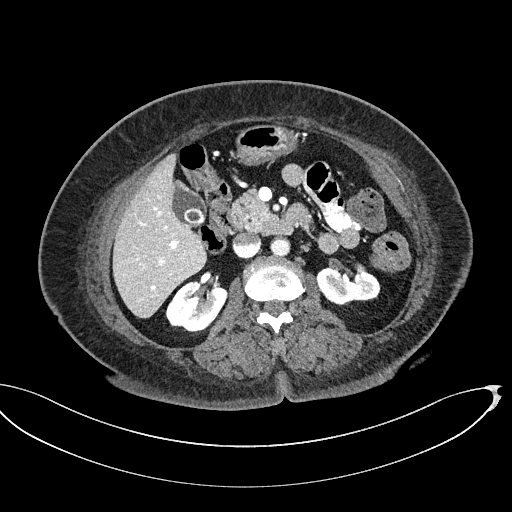
Contrast-enhanced abdominal CT, axial slice 296 of 439 (counted from the lowest slice); tube voltage 100 kVp, convolution kernel I40f; slices 2.00 mm thick, 0.850 mm per pixel.
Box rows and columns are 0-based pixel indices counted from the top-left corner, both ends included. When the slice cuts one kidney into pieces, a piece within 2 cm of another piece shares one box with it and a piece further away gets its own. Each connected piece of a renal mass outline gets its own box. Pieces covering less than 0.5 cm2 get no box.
Two boxes on this slice (two kidney boxes), listed by box centre from the image's left to its right. (1) Right kidney, box rows 280–333, columns 165–227 (outlined area 2,318 px, about 16.7 cm2). (2) Left kidney at rows 266–305, columns 316–380 (outlined area 1,937 px, about 14.0 cm2). No renal mass outline on this slice.